One axial slice (379 of 705, counting up from the lowest) of an arterial-phase abdominal CT acquired with 120 kVp, kernel I30f; each pixel is 0.703 mm and the slice is 1.00 mm thick.
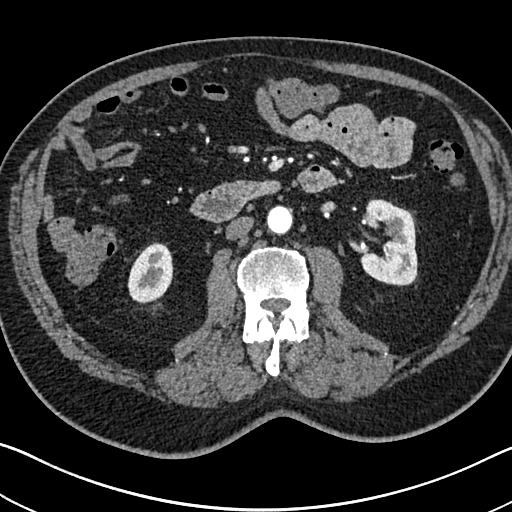
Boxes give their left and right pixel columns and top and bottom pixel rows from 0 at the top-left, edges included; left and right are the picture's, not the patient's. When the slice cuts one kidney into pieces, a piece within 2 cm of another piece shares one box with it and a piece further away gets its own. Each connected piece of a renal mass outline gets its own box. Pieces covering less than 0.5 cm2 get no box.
Boxed on this slice (two kidney boxes), listed by box centre from the image's left to its right: (1) Right kidney in the box with left 127, top 242, right 173, bottom 303 (outlined area 2,134 px, about 10.6 cm2). (2) Left kidney, the box with left 359, top 199, right 417, bottom 286 (outlined area 3,875 px, about 19.2 cm2). This slice carries no renal mass outline.